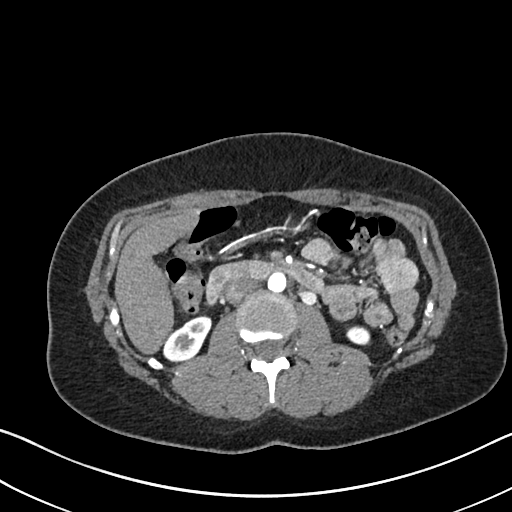
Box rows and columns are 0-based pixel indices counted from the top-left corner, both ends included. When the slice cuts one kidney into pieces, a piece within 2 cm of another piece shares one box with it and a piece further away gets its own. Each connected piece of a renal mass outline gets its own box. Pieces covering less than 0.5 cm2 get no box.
Arterial-phase contrast-enhanced abdominal CT, axial slice 375 of 612 (counted from the lowest slice); 1.00 mm thick, 0.703 mm per pixel. Boxed on this slice (two kidney boxes), listed by box centre from the image's left to its right: (1) Right kidney, box rows 315–361, columns 162–212 (outlined area 1,440 px, about 7.1 cm2). (2) Box rows 325–345, columns 346–370: left kidney (outlined area 411 px, about 2.0 cm2). No renal mass is outlined on this slice.
Acquired at 120 kVp and reconstructed with the I30f kernel.